One axial slice (53 of 143, counting up from the lowest) of a contrast-enhanced abdominal CT acquired with 100 kVp, kernel I41f; each pixel is 0.734 mm and the slice is 5.00 mm thick.
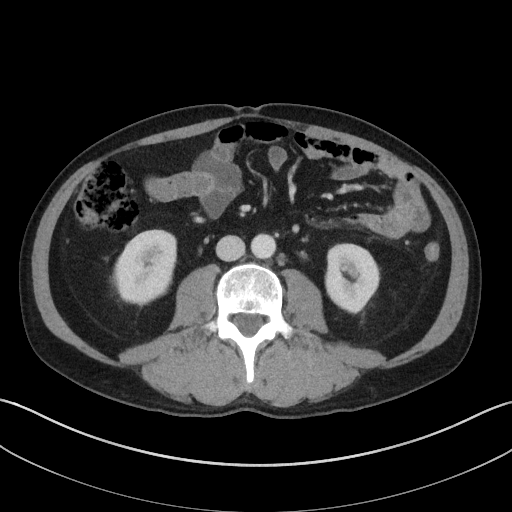
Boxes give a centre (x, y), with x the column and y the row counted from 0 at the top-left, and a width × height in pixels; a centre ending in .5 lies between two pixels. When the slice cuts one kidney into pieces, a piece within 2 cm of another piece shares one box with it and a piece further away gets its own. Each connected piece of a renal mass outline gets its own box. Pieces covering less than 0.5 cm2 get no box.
Boxed on this slice (two kidney boxes), listed by box centre from the image's left to its right: (1) Right kidney, box centre (144, 268), 65 × 79 pixels (outlined area 3,816 px, about 20.6 cm2). (2) Left kidney, box centre (352, 278.5), 57 × 72 pixels (outlined area 3,085 px, about 16.6 cm2). This slice carries no renal mass outline.